Axial slice 71 of 325 of a contrast-enhanced abdominal CT in the arterial phase (slice 1 is the lowest), 100 kVp, kernel I30f; 1.00 mm slice thickness and 0.703 mm pixels.
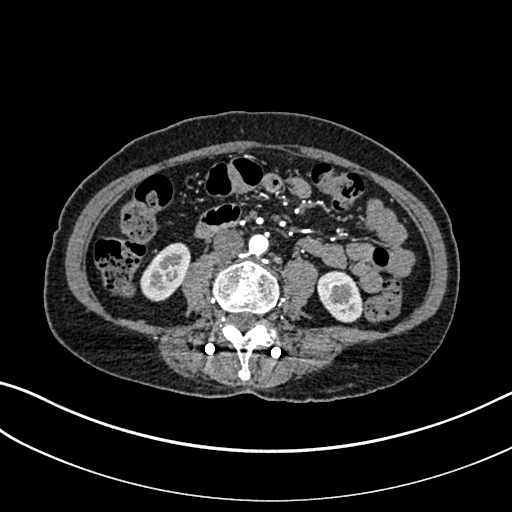
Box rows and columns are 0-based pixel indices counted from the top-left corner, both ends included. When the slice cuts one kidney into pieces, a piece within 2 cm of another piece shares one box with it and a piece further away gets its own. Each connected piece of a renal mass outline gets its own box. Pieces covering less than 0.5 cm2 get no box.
Two boxes on this slice (two kidney boxes), listed by box centre from the image's left to its right. (1) Right kidney, box rows 242–301, columns 140–190 (outlined area 2,034 px, about 10.1 cm2). (2) Box rows 270–322, columns 316–363: left kidney (outlined area 1,817 px, about 9.0 cm2). No renal mass outline on this slice.